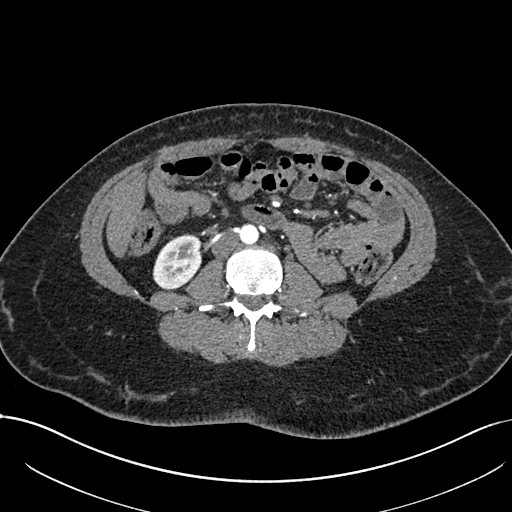
Axial slice 330 of 738 of a contrast-enhanced abdominal CT in the arterial phase (slice 1 is the lowest), 120 kVp, kernel I30f; 1.00 mm slice thickness and 0.789 mm pixels.
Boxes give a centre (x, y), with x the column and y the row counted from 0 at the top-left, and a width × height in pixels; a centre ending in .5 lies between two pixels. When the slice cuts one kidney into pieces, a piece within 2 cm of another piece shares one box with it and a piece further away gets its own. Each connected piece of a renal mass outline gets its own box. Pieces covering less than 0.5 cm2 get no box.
Right kidney, box centre (176.5, 261.5), 50 × 58 pixels (outlined area 2,101 px, about 13.1 cm2). No renal mass outline on this slice.